Axial slice 31 of 103 of a contrast-enhanced abdominal CT (slice 1 is the lowest), 120 kVp, kernel STANDARD; 2.50 mm slice thickness and 0.736 mm pixels.
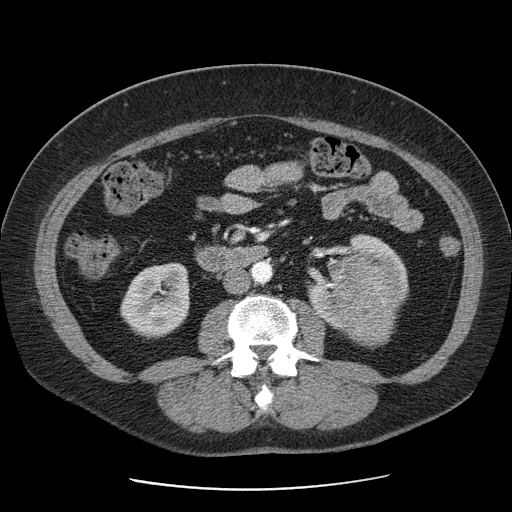
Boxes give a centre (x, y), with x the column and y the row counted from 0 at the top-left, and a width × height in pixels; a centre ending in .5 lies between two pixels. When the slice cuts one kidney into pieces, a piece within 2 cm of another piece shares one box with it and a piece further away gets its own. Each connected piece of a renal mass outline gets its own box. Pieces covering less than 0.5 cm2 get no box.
Three boxes on this slice (two kidney boxes and one renal mass box), listed by box centre from the image's left to its right. (1) Box centre (155, 300.5), 71 × 78 pixels: right kidney (outlined area 4,147 px, about 22.5 cm2). (2) Left kidney, box centre (357.5, 284), 102 × 101 pixels (outlined area 2,902 px, about 15.7 cm2). (3) Box centre (365.5, 301.5), 78 × 92 pixels: left renal mass (outlined area 4,966 px, about 26.9 cm2).